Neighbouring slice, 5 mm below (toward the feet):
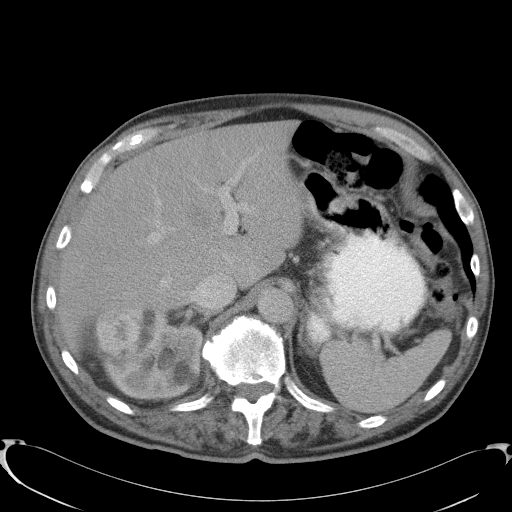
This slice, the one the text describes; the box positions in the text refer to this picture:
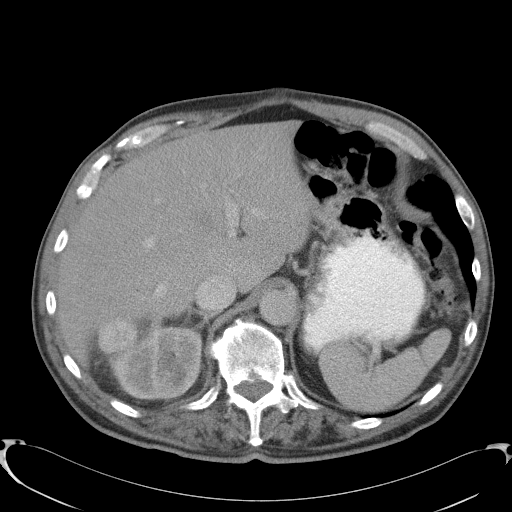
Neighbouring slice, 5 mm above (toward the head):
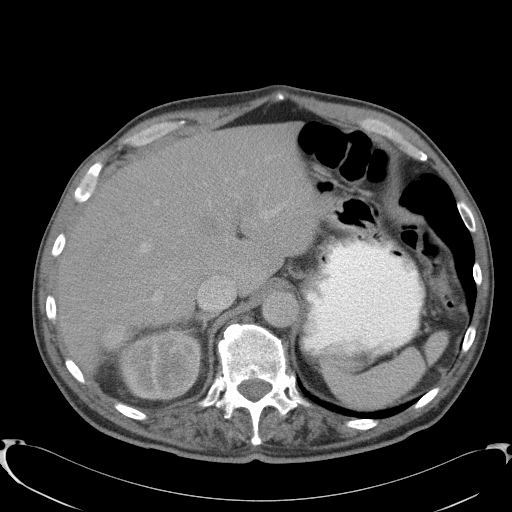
Axial slice 76 of 91 of a contrast-enhanced abdominal CT (slice 1 is the lowest), 120 kVp, kernel B41f; 5.00 mm slice thickness and 0.762 mm pixels.
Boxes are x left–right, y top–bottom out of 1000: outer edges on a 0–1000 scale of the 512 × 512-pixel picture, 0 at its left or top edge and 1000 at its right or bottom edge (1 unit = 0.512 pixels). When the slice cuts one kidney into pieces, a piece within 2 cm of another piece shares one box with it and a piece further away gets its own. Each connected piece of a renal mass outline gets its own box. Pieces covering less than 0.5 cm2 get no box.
One kidney box and one renal mass box on this slice; by box centre, from the image's left to its right: (1) Right renal mass, box x 189–270, y 617–691 out of 1000 (outlined area 1,253 px, about 7.3 cm2). (2) Right kidney at x 205–396, y 613–783 out of 1000 (outlined area 5,774 px, about 33.5 cm2). This slice lies near the end of the right renal mass toward the head; the slices 5 mm below and 5 mm above it are shown too, and the boxes mark positions on this slice only.